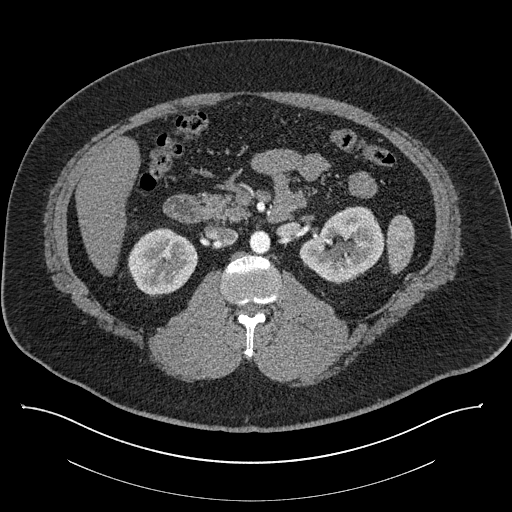
Abdominal CT with intravenous contrast, axial plane, 140 kVp, kernel I30f. Slice 501/787 from the bottom of the scan; thickness 1.00 mm; pixel size 0.910 mm.
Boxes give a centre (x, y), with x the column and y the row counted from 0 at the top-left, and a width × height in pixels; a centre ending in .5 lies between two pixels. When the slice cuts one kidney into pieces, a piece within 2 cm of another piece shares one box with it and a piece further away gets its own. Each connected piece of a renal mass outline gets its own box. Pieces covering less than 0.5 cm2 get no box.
Two kidney boxes on this slice; by box centre, from the image's left to its right: (1) Box centre (162.5, 262), 72 × 71 pixels: right kidney (outlined area 3,616 px, about 30.0 cm2). (2) Left kidney in a box with centre (341.5, 244.5), 86 × 78 pixels (outlined area 4,526 px, about 37.5 cm2). No renal mass outline on this slice.